Axial slice 41 of 96 of a contrast-enhanced abdominal CT in the arterial phase (slice 1 is the lowest), 120 kVp, kernel STANDARD; 2.50 mm slice thickness and 0.689 mm pixels.
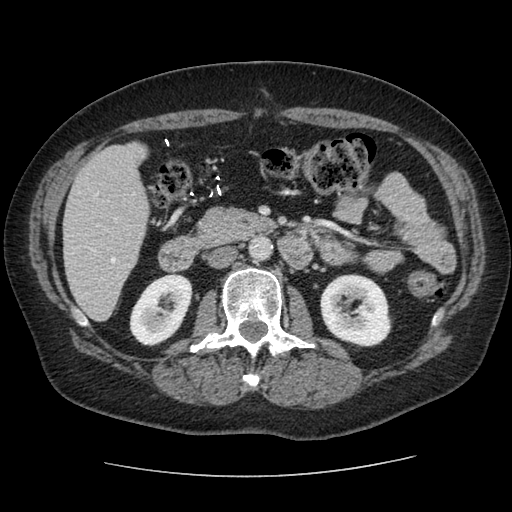
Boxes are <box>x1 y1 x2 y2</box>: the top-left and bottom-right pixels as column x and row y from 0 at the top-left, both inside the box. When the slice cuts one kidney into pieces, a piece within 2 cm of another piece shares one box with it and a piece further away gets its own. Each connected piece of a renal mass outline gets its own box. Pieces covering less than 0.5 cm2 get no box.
Two boxes on this slice (two kidney boxes), listed by box centre from the image's left to its right. (1) At <box>129 273 192 346</box>: right kidney (outlined area 3,285 px, about 15.6 cm2). (2) Left kidney: <box>320 273 392 346</box> (outlined area 4,101 px, about 19.5 cm2). This slice carries no renal mass outline.